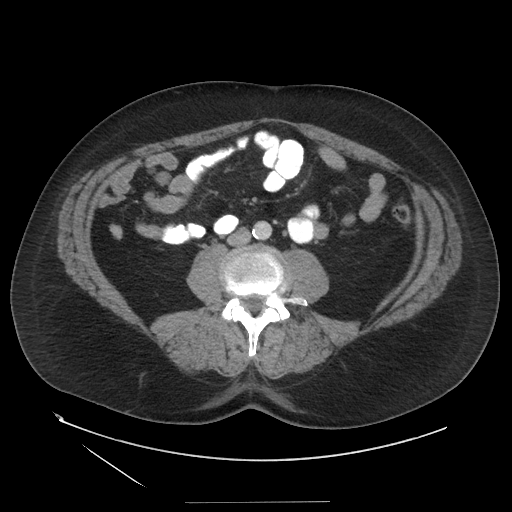
This is axial slice 59 of 129 (slice 1 is the lowest) of an arterial-phase abdominal CT with contrast; each pixel is 0.938 mm and the slice is 3.75 mm thick. No kidney and no renal mass is outlined on this slice; the outlines in this scan cover only the kidneys and the renal masses, so nothing is said about any other organ.
Scan settings: 140 kVp, STANDARD reconstruction kernel.